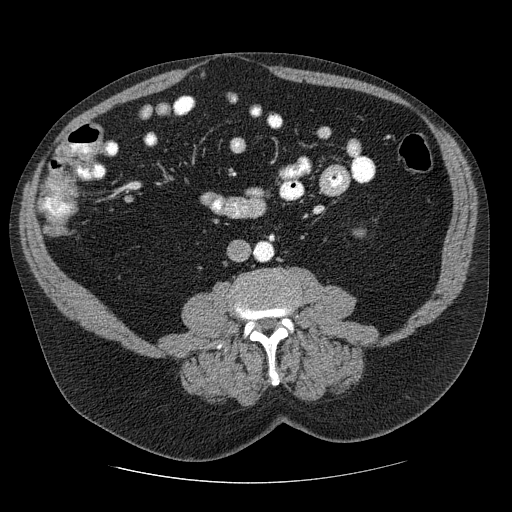
Abdominal CT with intravenous contrast, axial plane, 120 kVp, kernel STANDARD. Slice 106/206 from the bottom of the scan; thickness 2.50 mm; pixel size 0.879 mm.
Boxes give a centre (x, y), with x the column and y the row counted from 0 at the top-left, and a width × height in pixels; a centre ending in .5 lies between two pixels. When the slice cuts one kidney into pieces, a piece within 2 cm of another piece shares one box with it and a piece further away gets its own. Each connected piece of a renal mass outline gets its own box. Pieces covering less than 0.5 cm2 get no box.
Left kidney, box centre (359, 232.5), 13 × 10 pixels (outlined area 103 px, about 0.8 cm2). No renal mass outline on this slice.